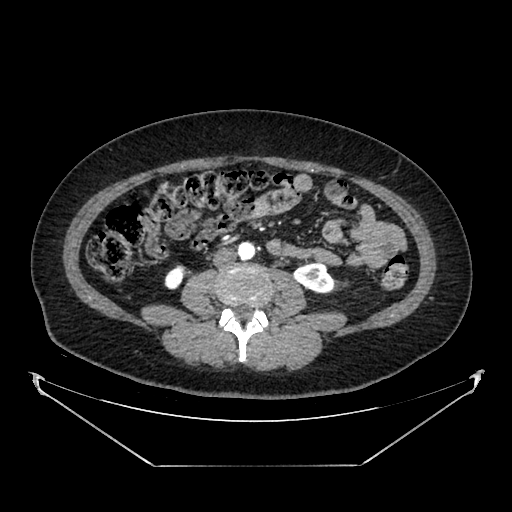
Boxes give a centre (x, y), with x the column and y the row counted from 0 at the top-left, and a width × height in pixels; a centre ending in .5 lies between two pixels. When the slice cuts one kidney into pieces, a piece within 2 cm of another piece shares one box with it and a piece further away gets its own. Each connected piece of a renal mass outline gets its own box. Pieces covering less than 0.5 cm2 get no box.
This is axial slice 189 of 383 (slice 1 is the lowest) of an arterial-phase abdominal CT with contrast; each pixel is 0.898 mm and the slice is 1.25 mm thick. Boxed on this slice (two kidney boxes), listed by box centre from the image's left to its right: (1) Right kidney in a box with centre (174, 277), 21 × 25 pixels (outlined area 382 px, about 3.1 cm2). (2) Box centre (313, 278), 41 × 31 pixels: left kidney (outlined area 920 px, about 7.4 cm2). No renal mass is outlined on this slice.
Scan settings: 100 kVp, SOFT reconstruction kernel.